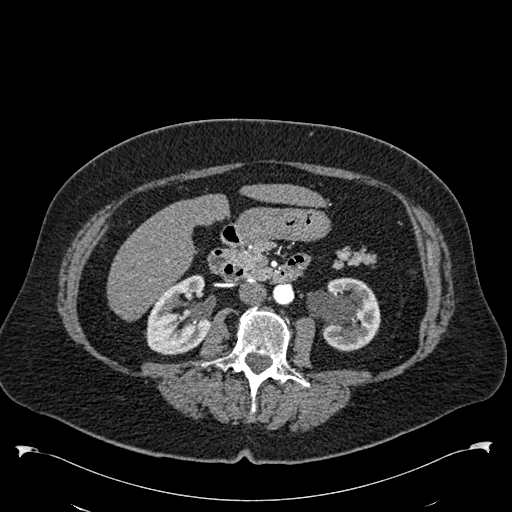
Abdominal CT with intravenous contrast, arterial phase, axial plane, 120 kVp, kernel B30f. Slice 297/538 from the bottom of the scan; thickness 1.00 mm; pixel size 0.811 mm.
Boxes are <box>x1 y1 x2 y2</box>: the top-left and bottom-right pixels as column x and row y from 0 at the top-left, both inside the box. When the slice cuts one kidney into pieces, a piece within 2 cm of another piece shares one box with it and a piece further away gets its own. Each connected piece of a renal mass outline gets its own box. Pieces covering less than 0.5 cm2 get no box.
Two kidney boxes on this slice; by box centre, from the image's left to its right: (1) Right kidney at <box>145 274 210 355</box> (outlined area 3,743 px, about 24.6 cm2). (2) At <box>307 277 380 351</box>: left kidney (outlined area 3,905 px, about 25.7 cm2). No renal mass outline on this slice.